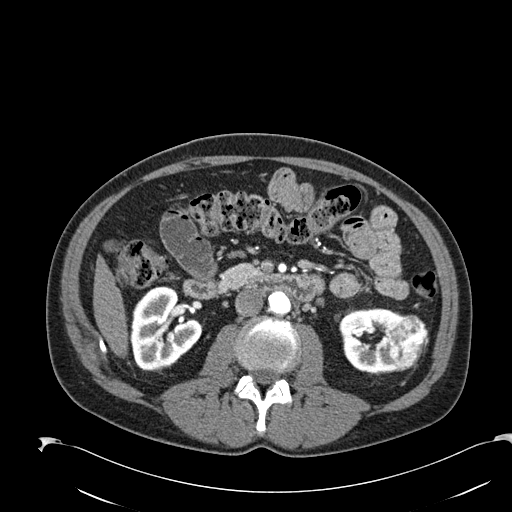
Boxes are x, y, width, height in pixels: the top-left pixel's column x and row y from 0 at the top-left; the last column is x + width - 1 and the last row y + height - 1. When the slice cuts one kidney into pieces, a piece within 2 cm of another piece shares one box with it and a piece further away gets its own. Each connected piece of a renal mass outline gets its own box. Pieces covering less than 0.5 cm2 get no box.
This is axial slice 103 of 274 (slice 1 is the lowest) of an arterial-phase abdominal CT with contrast; each pixel is 0.809 mm and the slice is 2.00 mm thick. Three boxes on this slice (two kidney boxes and one renal mass box), listed by box centre from the image's left to its right. (1) Right kidney, box x 130, y 286, width 74, height 86 (outlined area 4,416 px, about 28.9 cm2). (2) Left kidney at x 339, y 308, width 64, height 68 (outlined area 2,847 px, about 18.6 cm2). (3) Box x 384, y 314, width 45, height 58: left renal mass (outlined area 1,809 px, about 11.8 cm2).
Scan settings: 120 kVp, B30f reconstruction kernel.